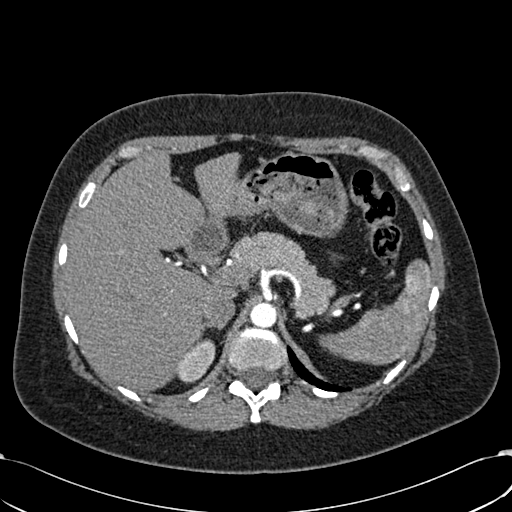
One axial slice (455 of 532, counting up from the lowest) of an arterial-phase abdominal CT acquired with 120 kVp, kernel B30f; each pixel is 0.713 mm and the slice is 1.00 mm thick.
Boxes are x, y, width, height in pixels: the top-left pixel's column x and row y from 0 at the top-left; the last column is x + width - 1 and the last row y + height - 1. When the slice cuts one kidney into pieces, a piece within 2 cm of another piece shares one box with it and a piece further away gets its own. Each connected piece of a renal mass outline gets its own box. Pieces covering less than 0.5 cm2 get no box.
Right kidney, box x 176, y 339, width 40, height 45 (outlined area 1,159 px, about 5.9 cm2). No renal mass is outlined on this slice.